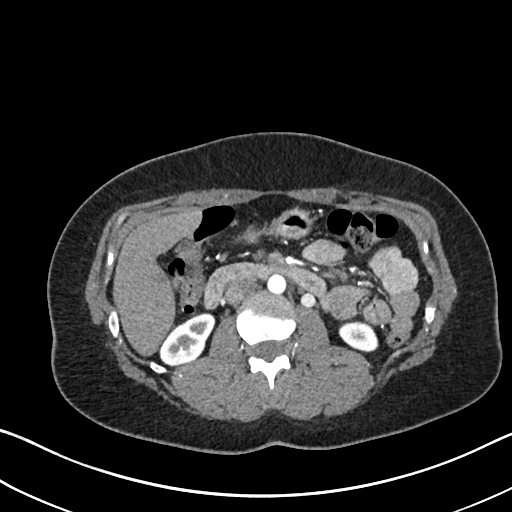
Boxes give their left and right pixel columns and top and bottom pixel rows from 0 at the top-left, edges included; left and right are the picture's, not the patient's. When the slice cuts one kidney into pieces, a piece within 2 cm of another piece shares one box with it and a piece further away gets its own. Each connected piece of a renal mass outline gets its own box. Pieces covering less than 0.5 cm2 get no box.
Slice 382/612 of a contrast-enhanced abdominal CT in the arterial phase, counting up from the lowest; pixel size 0.703 mm, slice thickness 1.00 mm. Boxed on this slice (two kidney boxes), listed by box centre from the image's left to its right: (1) Right kidney in the box with left 160, top 313, right 215, bottom 364 (outlined area 1,850 px, about 9.1 cm2). (2) Left kidney in the box with left 338, top 320, right 378, bottom 351 (outlined area 969 px, about 4.8 cm2). No renal mass outline on this slice.
Scan settings: 120 kVp, I30f reconstruction kernel.